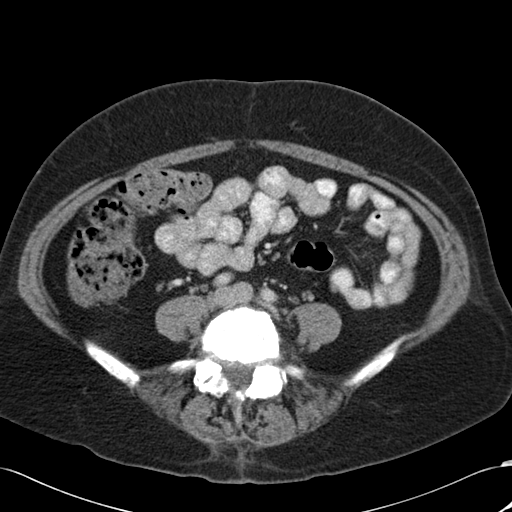
Arterial-phase contrast-enhanced abdominal CT, axial slice 41 of 88 (counted from the lowest slice); tube voltage 120 kVp, convolution kernel B30f; slices 5.00 mm thick, 0.691 mm per pixel.
No kidney and no renal mass is outlined on this slice; the outlines in this scan cover only the kidneys and the renal masses, so nothing is said about any other organ.